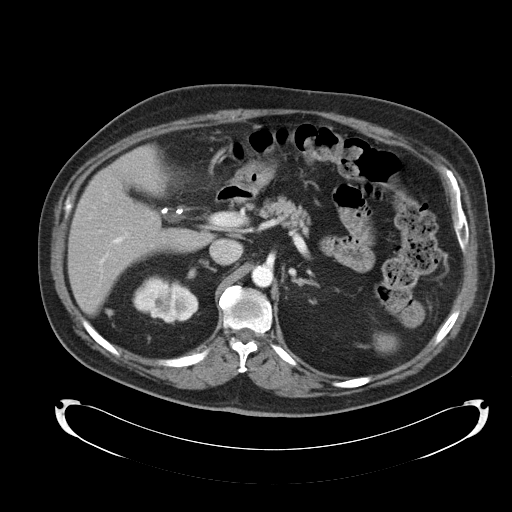
Contrast-enhanced abdominal CT, axial slice 71 of 92 (counted from the lowest slice); tube voltage 120 kVp, convolution kernel B30f; slices 5.00 mm thick, 0.918 mm per pixel.
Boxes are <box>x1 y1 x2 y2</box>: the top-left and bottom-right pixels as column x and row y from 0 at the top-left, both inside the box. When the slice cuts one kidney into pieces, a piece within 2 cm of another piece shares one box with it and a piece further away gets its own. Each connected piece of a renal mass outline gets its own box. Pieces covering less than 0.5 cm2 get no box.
At <box>135 277 198 324</box>: right kidney (outlined area 2,242 px, about 18.9 cm2). This slice carries no renal mass outline.